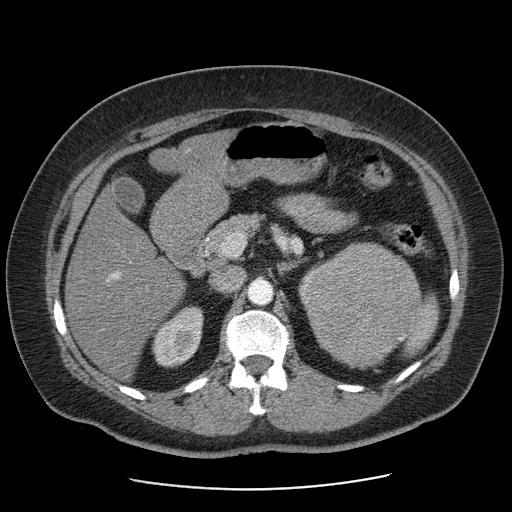
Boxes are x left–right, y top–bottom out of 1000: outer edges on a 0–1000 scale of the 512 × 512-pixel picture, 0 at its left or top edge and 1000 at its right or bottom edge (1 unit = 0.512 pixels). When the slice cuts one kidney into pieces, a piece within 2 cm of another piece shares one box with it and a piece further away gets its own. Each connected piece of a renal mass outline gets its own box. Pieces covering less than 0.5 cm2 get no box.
This is axial slice 58 of 103 (slice 1 is the lowest) of an abdominal CT with contrast; each pixel is 0.736 mm and the slice is 2.50 mm thick. Boxed on this slice (two kidney boxes and one renal mass box), listed by box centre from the image's left to its right: (1) Right kidney, box x 297–398, y 598–719 out of 1000 (outlined area 2,268 px, about 12.3 cm2). (2) Left kidney, box x 582–625, y 512–598 out of 1000 (outlined area 259 px, about 1.4 cm2). (3) Box x 594–824, y 473–723 out of 1000: left renal mass (outlined area 11,136 px, about 60.4 cm2).
Scan settings: 120 kVp, STANDARD reconstruction kernel.